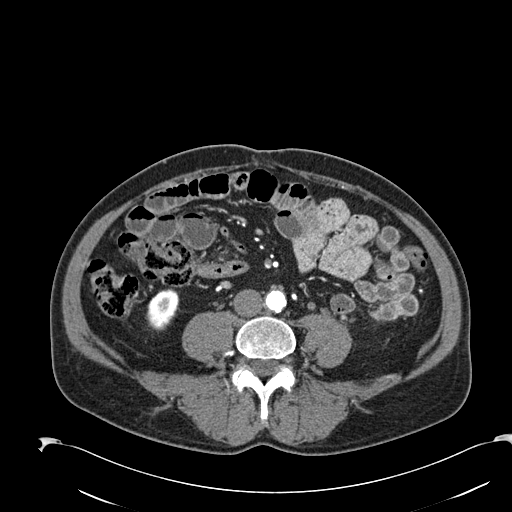
One axial slice (43 of 274, counting up from the lowest) of an arterial-phase abdominal CT acquired with 120 kVp, kernel B30f; each pixel is 0.809 mm and the slice is 2.00 mm thick.
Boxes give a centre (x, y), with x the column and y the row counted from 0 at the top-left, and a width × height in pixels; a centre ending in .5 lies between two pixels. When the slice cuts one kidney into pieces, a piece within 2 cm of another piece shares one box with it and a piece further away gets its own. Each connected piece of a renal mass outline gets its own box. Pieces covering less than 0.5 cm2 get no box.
Right kidney in a box with centre (162.5, 310.5), 34 × 42 pixels (outlined area 1,002 px, about 6.6 cm2). No renal mass outline on this slice.